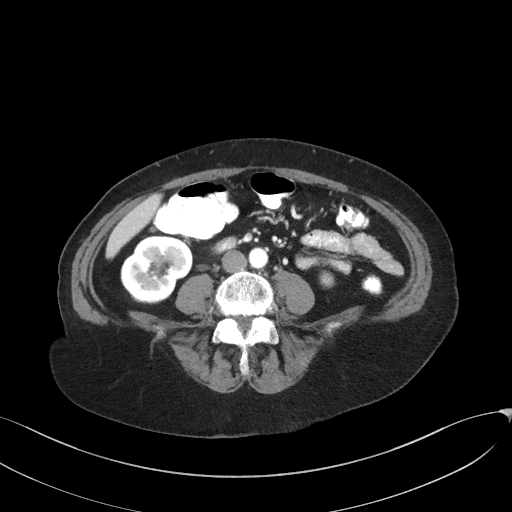
Abdominal CT with intravenous contrast, arterial phase, axial plane, 100 kVp, kernel I41f. Slice 72/129 from the bottom of the scan; thickness 3.00 mm; pixel size 0.779 mm.
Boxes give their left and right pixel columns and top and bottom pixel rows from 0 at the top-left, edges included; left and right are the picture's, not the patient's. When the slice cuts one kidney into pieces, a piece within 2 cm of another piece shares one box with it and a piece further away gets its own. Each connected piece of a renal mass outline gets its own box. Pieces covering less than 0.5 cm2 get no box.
Boxed on this slice (two kidney boxes), listed by box centre from the image's left to its right: (1) Right kidney, the box with left 120, top 235, right 193, bottom 304 (outlined area 3,755 px, about 22.8 cm2). (2) Box with left 319, top 270, right 334, bottom 287: left kidney (outlined area 237 px, about 1.4 cm2). No renal mass is outlined on this slice.